Contrast-enhanced abdominal CT, axial slice 40 of 301 (counted from the lowest slice); tube voltage 120 kVp, convolution kernel I40f; slices 2.00 mm thick, 0.859 mm per pixel.
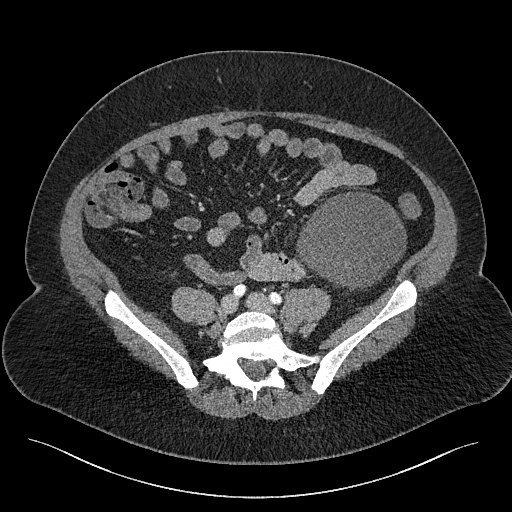
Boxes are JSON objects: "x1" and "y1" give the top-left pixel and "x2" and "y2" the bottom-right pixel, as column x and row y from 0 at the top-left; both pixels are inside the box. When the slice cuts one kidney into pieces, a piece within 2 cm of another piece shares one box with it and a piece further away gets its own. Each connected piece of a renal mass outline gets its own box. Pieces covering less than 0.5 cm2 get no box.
Left renal mass, box {"x1": 296, "y1": 191, "x2": 406, "y2": 290} (outlined area 7,901 px, about 58.4 cm2); no kidney outline appears on this slice, but the same outlined renal mass comes within 1 cm of the kidney on another slice.